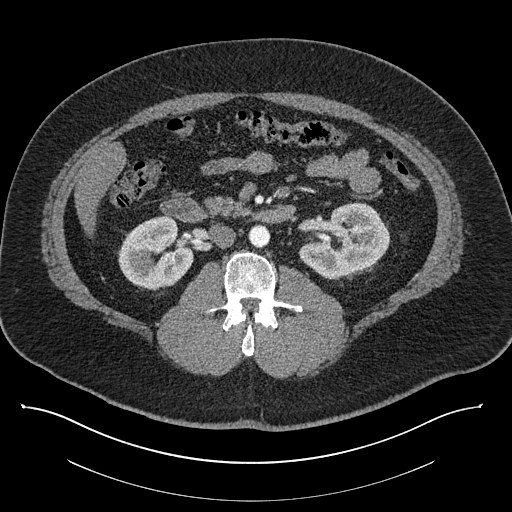
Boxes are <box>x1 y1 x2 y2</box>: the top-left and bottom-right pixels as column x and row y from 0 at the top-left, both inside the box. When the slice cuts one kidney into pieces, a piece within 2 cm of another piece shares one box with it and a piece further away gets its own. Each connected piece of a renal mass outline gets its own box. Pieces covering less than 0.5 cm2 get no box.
This is axial slice 475 of 787 (slice 1 is the lowest) of an abdominal CT with contrast; each pixel is 0.910 mm and the slice is 1.00 mm thick. Boxed on this slice (two kidney boxes), listed by box centre from the image's left to its right: (1) Right kidney: <box>117 215 193 290</box> (outlined area 4,123 px, about 34.2 cm2). (2) Left kidney: <box>298 202 390 279</box> (outlined area 4,845 px, about 40.1 cm2). No renal mass outline on this slice.
Acquired at 140 kVp and reconstructed with the I30f kernel.